Contrast-enhanced abdominal CT, axial slice 49 of 95 (counted from the lowest slice); tube voltage 120 kVp, convolution kernel STANDARD; slices 5.00 mm thick, 0.781 mm per pixel.
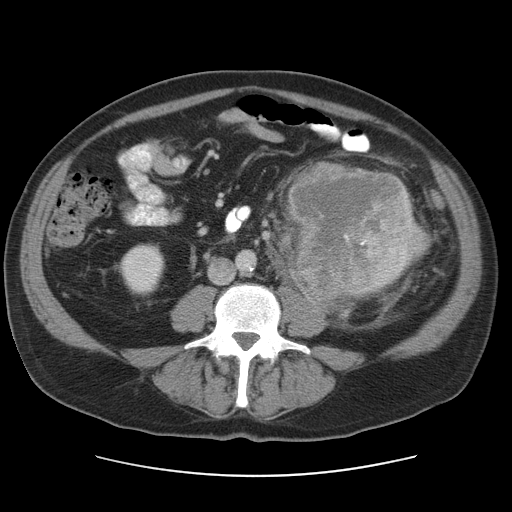
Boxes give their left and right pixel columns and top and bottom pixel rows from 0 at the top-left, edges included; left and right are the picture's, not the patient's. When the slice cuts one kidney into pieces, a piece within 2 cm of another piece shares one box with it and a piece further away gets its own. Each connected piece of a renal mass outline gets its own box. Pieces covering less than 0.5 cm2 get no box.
Boxed on this slice (two kidney boxes and one renal mass box), listed by box centre from the image's left to its right: (1) Right kidney in the box with left 119, top 243, right 165, bottom 297 (outlined area 1,909 px, about 11.7 cm2). (2) Left renal mass, the box with left 288, top 161, right 415, bottom 302 (outlined area 14,547 px, about 88.8 cm2). (3) Left kidney in the box with left 410, top 223, right 431, bottom 266 (outlined area 530 px, about 3.2 cm2).